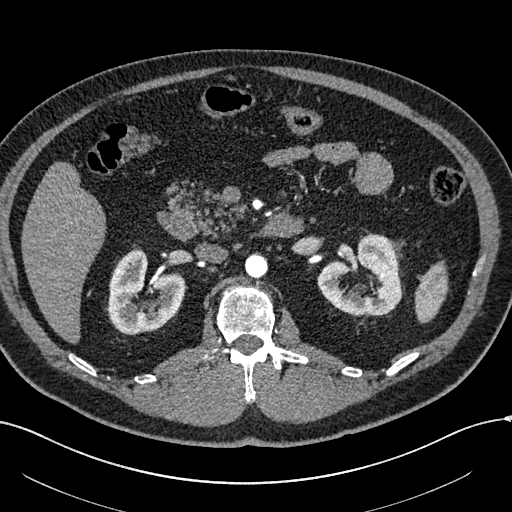
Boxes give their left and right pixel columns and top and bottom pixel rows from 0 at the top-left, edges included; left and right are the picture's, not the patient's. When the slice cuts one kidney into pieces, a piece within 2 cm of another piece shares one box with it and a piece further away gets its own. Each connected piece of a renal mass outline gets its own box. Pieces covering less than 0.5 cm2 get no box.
Arterial-phase contrast-enhanced abdominal CT, axial slice 361 of 602 (counted from the lowest slice); 1.00 mm thick, 0.799 mm per pixel. Two boxes on this slice (two kidney boxes), listed by box centre from the image's left to its right. (1) Right kidney in the box with left 108, top 248, right 184, bottom 335 (outlined area 4,583 px, about 29.2 cm2). (2) Left kidney in the box with left 317, top 234, right 401, bottom 315 (outlined area 4,699 px, about 30.0 cm2). No renal mass outline on this slice.
Acquired at 120 kVp and reconstructed with the I30f kernel.